Arterial-phase contrast-enhanced abdominal CT, axial slice 396 of 634 (counted from the lowest slice); tube voltage 120 kVp, convolution kernel B20f; slices 1.00 mm thick, 0.838 mm per pixel.
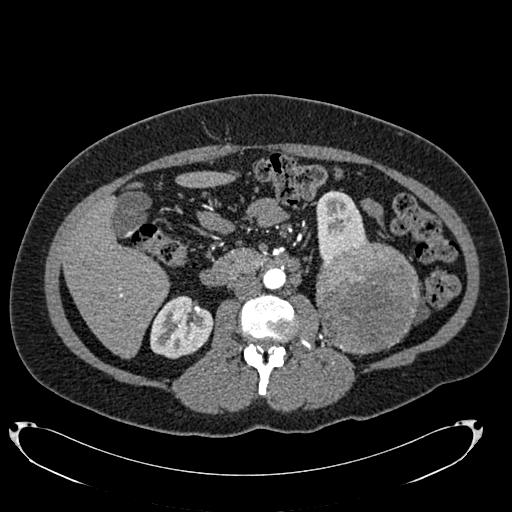
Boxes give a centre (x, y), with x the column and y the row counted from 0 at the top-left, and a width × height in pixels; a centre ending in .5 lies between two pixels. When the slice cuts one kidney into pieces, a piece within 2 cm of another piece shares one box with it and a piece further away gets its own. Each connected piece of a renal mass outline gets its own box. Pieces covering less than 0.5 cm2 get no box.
Two kidney boxes and one renal mass box on this slice; by box centre, from the image's left to its right: (1) Box centre (181.5, 326.5), 64 × 64 pixels: right kidney (outlined area 2,977 px, about 20.9 cm2). (2) Box centre (342, 224.5), 53 × 72 pixels: left kidney (outlined area 2,542 px, about 17.8 cm2). (3) Box centre (367.5, 298.5), 104 × 114 pixels: left renal mass (outlined area 9,418 px, about 66.1 cm2).